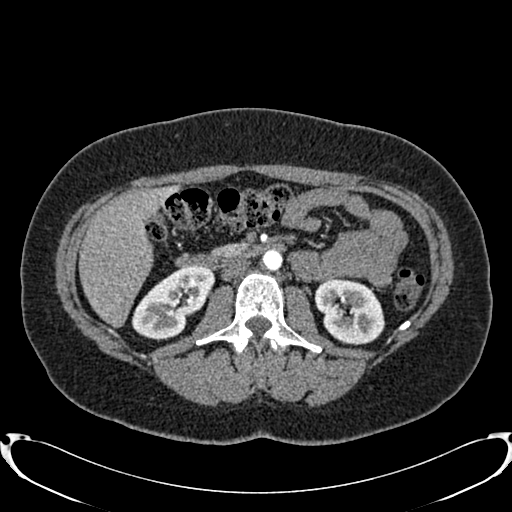
Arterial-phase contrast-enhanced abdominal CT, axial slice 437 of 719 (counted from the lowest slice); tube voltage 120 kVp, convolution kernel B20f; slices 1.00 mm thick, 0.766 mm per pixel.
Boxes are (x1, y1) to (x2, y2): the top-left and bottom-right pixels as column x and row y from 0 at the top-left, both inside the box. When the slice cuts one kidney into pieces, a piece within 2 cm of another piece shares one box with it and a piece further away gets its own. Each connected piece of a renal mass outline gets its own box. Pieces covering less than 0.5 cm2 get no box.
Two boxes on this slice (two kidney boxes), listed by box centre from the image's left to its right. (1) Box (131, 265) to (213, 340): right kidney (outlined area 3,900 px, about 22.9 cm2). (2) Left kidney from (314, 278) to (385, 345) (outlined area 3,537 px, about 20.7 cm2). No renal mass is outlined on this slice.